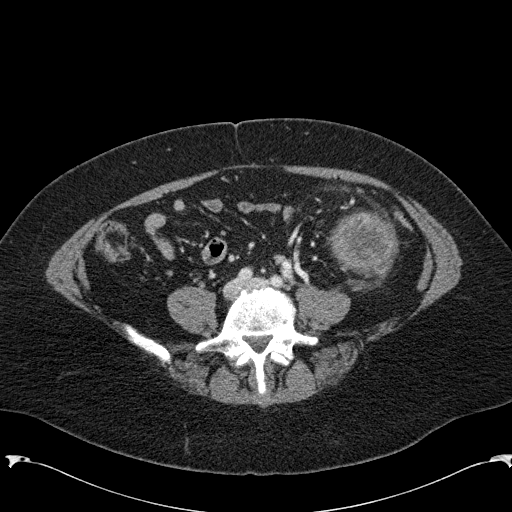
One axial slice (23 of 285, counting up from the lowest) of an arterial-phase abdominal CT acquired with 120 kVp, kernel B31f; each pixel is 0.762 mm and the slice is 2.00 mm thick.
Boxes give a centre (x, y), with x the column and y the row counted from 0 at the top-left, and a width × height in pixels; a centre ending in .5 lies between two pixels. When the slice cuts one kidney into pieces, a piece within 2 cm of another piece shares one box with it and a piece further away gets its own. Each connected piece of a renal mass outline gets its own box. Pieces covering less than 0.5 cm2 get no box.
Left renal mass, box centre (362, 245), 71 × 69 pixels (outlined area 3,612 px, about 21.0 cm2); no kidney outline appears on this slice, but the same outlined renal mass comes within 1 cm of the kidney on another slice.